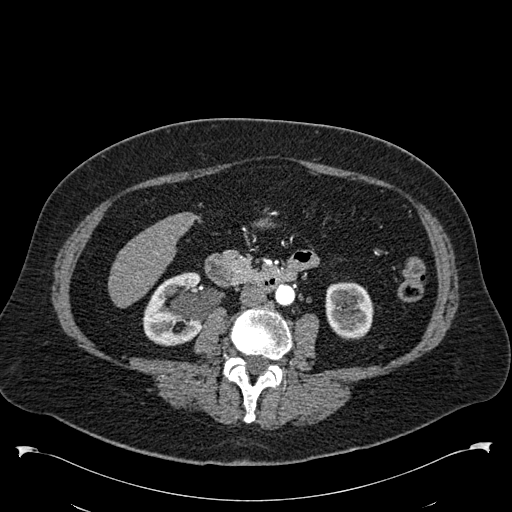
One axial slice (266 of 538, counting up from the lowest) of an arterial-phase abdominal CT acquired with 120 kVp, kernel B30f; each pixel is 0.811 mm and the slice is 1.00 mm thick.
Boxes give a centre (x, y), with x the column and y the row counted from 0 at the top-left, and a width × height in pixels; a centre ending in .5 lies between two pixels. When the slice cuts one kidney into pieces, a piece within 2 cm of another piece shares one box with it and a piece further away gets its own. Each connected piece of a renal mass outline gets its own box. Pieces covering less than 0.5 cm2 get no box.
Two boxes on this slice (two kidney boxes), listed by box centre from the image's left to its right. (1) Box centre (171.5, 309), 60 × 75 pixels: right kidney (outlined area 3,373 px, about 22.2 cm2). (2) Box centre (349, 310.5), 49 × 58 pixels: left kidney (outlined area 2,316 px, about 15.2 cm2). This slice carries no renal mass outline.